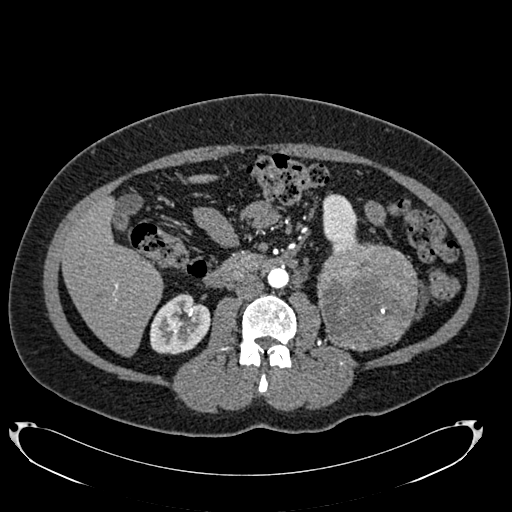
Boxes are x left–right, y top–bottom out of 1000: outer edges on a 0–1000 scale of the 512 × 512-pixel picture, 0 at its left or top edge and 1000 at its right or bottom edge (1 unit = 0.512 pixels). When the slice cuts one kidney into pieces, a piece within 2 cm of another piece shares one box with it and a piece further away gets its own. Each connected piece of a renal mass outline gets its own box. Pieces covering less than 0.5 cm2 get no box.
Arterial-phase contrast-enhanced abdominal CT, axial slice 384 of 634 (counted from the lowest slice); 1.00 mm thick, 0.838 mm per pixel. Two kidney boxes and one renal mass box on this slice; by box centre, from the image's left to its right: (1) Right kidney at x 293–412, y 574–693 out of 1000 (outlined area 2,772 px, about 19.5 cm2). (2) Box x 629–701, y 375–490 out of 1000: left kidney (outlined area 1,550 px, about 10.9 cm2). (3) Box x 617–816, y 473–688 out of 1000: left renal mass (outlined area 9,000 px, about 63.2 cm2).
Acquired at 120 kVp and reconstructed with the B20f kernel.